Arterial-phase contrast-enhanced abdominal CT, axial slice 251 of 548 (counted from the lowest slice); tube voltage 120 kVp, convolution kernel I26f; slices 1.00 mm thick, 0.852 mm per pixel.
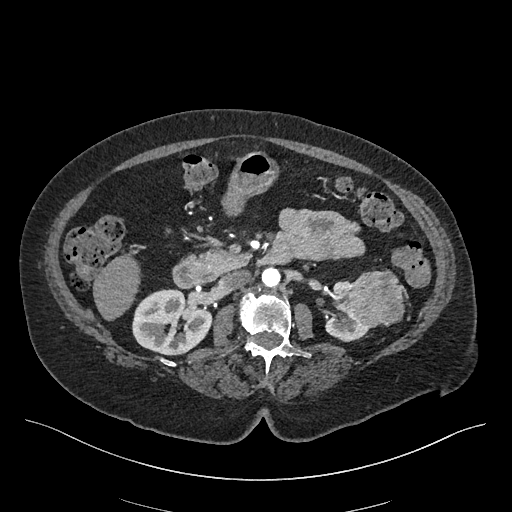
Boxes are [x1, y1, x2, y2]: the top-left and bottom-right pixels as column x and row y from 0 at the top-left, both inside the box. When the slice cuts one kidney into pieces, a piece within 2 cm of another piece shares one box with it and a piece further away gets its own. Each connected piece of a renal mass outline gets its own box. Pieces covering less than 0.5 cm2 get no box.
Boxed on this slice (two kidney boxes and one renal mass box), listed by box centre from the image's left to its right: (1) Box [132, 289, 211, 355]: right kidney (outlined area 4,065 px, about 29.5 cm2). (2) Left kidney at [324, 280, 371, 341] (outlined area 1,309 px, about 9.5 cm2). (3) Box [340, 269, 405, 327]: left renal mass (outlined area 2,857 px, about 20.7 cm2).